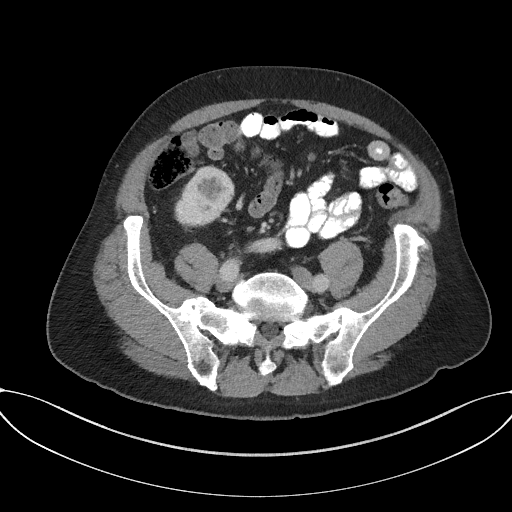
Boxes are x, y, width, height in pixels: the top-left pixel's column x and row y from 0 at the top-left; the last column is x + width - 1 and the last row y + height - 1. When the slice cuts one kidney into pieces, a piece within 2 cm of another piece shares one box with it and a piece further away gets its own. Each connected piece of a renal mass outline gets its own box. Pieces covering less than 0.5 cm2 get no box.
Arterial-phase contrast-enhanced abdominal CT, axial slice 61 of 227 (counted from the lowest slice); 3.00 mm thick, 0.816 mm per pixel. Right kidney at x 175, y 166, width 60, height 61 (outlined area 2,583 px, about 17.2 cm2). No renal mass outline on this slice.
Tube voltage 120 kVp; convolution kernel I31f.